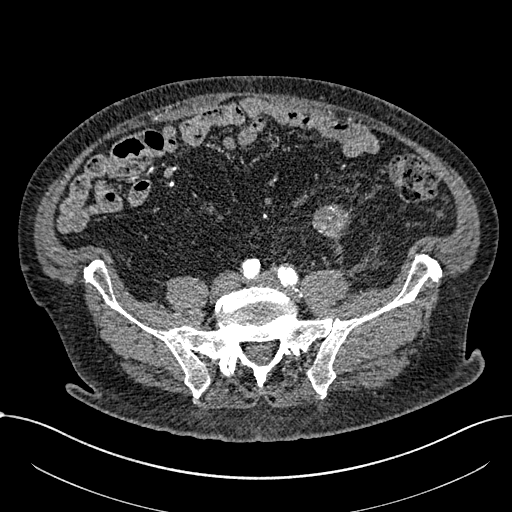
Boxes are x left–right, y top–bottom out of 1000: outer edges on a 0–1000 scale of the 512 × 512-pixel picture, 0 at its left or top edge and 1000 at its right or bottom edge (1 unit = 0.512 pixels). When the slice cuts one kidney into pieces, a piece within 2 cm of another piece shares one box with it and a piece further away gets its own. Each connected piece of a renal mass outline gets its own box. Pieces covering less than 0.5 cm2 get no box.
Slice 160/1059 of a contrast-enhanced abdominal CT in the arterial phase, counting up from the lowest; pixel size 0.811 mm, slice thickness 1.00 mm. Box x 607–688, y 398–471 out of 1000: renal mass (outlined area 1,009 px, about 6.6 cm2); no kidney outline appears on this slice, but the same outlined renal mass comes within 1 cm of the kidney on another slice.
Scan settings: 100 kVp, I30f reconstruction kernel.